Abdominal CT with intravenous contrast, axial plane, 140 kVp, kernel B41f. Slice 37/61 from the bottom of the scan; thickness 3.00 mm; pixel size 0.939 mm.
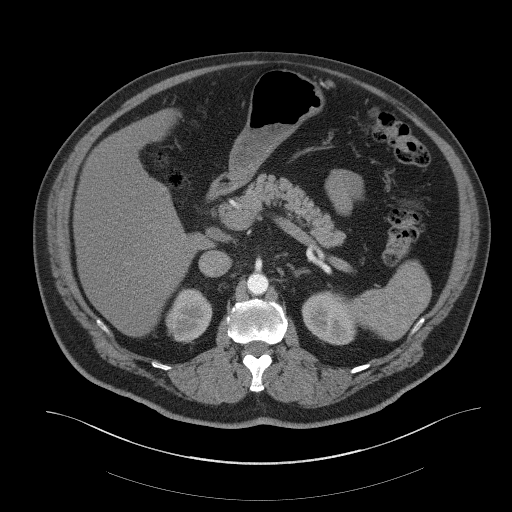
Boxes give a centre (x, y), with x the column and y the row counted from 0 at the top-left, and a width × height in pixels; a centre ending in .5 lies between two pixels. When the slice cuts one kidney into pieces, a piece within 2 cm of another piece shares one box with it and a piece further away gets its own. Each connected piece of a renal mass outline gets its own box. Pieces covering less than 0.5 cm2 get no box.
Two boxes on this slice (two kidney boxes), listed by box centre from the image's left to its right. (1) Right kidney, box centre (188.5, 315), 48 × 55 pixels (outlined area 1,915 px, about 16.9 cm2). (2) Box centre (329, 317.5), 57 × 56 pixels: left kidney (outlined area 2,335 px, about 20.6 cm2). No renal mass outline on this slice.